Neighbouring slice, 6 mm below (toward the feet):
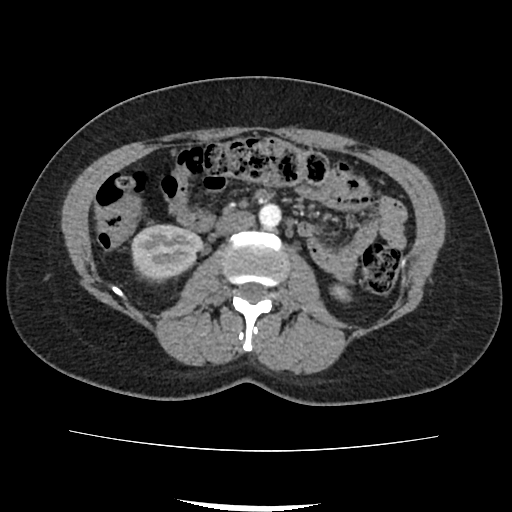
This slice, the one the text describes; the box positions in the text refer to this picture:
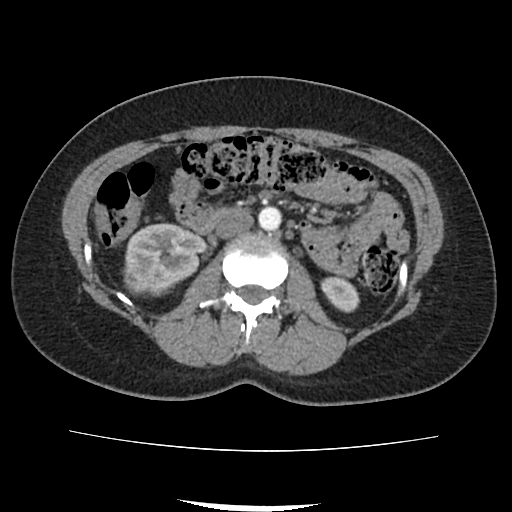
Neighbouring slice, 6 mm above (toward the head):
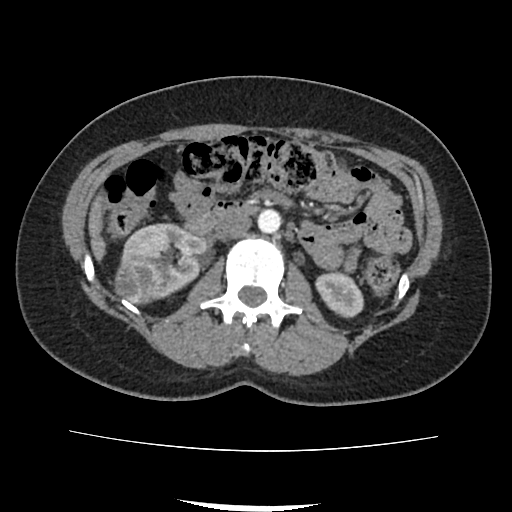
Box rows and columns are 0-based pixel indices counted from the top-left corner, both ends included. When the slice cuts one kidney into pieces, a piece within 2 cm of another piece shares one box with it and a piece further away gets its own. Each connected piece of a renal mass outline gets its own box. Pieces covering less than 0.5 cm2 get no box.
Contrast-enhanced abdominal CT, axial slice 42 of 103 (counted from the lowest slice); 3.00 mm thick, 0.714 mm per pixel. Two kidney boxes and one renal mass box on this slice; by box centre, from the image's left to its right: (1) Box rows 266–295, columns 122–151: right renal mass (outlined area 691 px, about 3.5 cm2). (2) Right kidney, box rows 223–296, columns 124–207 (outlined area 3,928 px, about 20.0 cm2). (3) Box rows 276–312, columns 320–359: left kidney (outlined area 1,029 px, about 5.2 cm2). This slice lies near the end of the right renal mass toward the feet; the slices 6 mm below and 6 mm above it are shown too, and the boxes mark positions on this slice only.
Acquired at 120 kVp and reconstructed with the FC18 kernel.